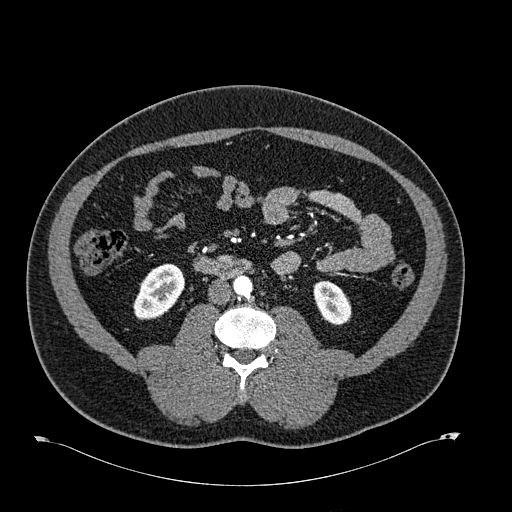
Abdominal CT with intravenous contrast, arterial phase, axial plane, 120 kVp, kernel B30f. Slice 286/723 from the bottom of the scan; thickness 1.00 mm; pixel size 0.895 mm.
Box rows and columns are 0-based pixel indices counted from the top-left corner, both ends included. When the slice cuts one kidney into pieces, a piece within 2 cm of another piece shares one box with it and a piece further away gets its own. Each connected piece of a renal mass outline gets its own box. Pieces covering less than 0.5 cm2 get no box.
Boxed on this slice (two kidney boxes), listed by box centre from the image's left to its right: (1) Box rows 263–318, columns 133–184: right kidney (outlined area 2,044 px, about 16.4 cm2). (2) Box rows 280–325, columns 313–351: left kidney (outlined area 1,272 px, about 10.2 cm2). No renal mass is outlined on this slice.